Axial slice 577 of 787 of a contrast-enhanced abdominal CT (slice 1 is the lowest), 140 kVp, kernel I30f; 1.00 mm slice thickness and 0.910 mm pixels.
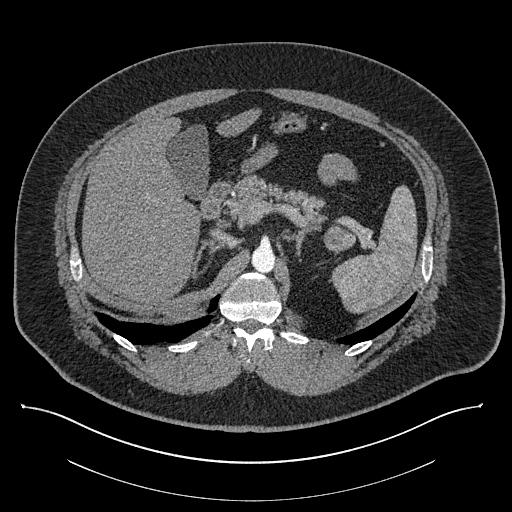
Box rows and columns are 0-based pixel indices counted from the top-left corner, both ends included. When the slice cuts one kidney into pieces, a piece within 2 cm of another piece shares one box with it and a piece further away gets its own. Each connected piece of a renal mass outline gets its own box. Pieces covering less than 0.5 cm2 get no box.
Box rows 224–252, columns 323–356: left renal mass (outlined area 670 px, about 5.6 cm2); no kidney is outlined on this slice, but the same outlined renal mass comes within 1 cm of the kidney on another slice.